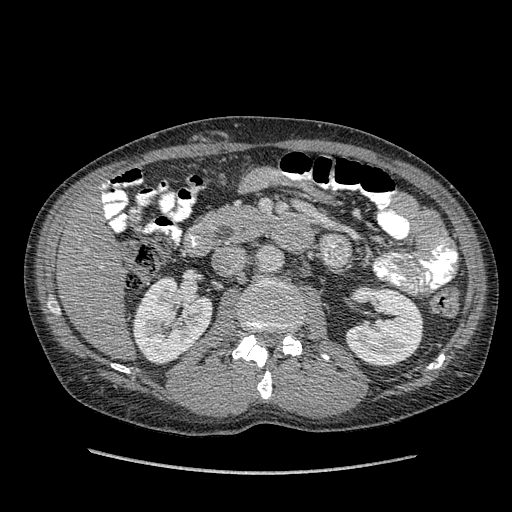
One axial slice (209 of 349, counting up from the lowest) of an arterial-phase abdominal CT acquired with 120 kVp, kernel STANDARD; each pixel is 0.742 mm and the slice is 1.25 mm thick.
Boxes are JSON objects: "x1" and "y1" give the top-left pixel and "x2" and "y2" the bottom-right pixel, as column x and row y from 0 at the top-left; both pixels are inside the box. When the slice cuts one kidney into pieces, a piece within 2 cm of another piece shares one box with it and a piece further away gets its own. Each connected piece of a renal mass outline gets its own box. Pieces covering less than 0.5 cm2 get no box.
Two kidney boxes on this slice; by box centre, from the image's left to its right: (1) Box {"x1": 131, "y1": 276, "x2": 212, "y2": 364}: right kidney (outlined area 5,114 px, about 28.2 cm2). (2) Left kidney, box {"x1": 345, "y1": 286, "x2": 423, "y2": 366} (outlined area 4,629 px, about 25.5 cm2). This slice carries no renal mass outline.